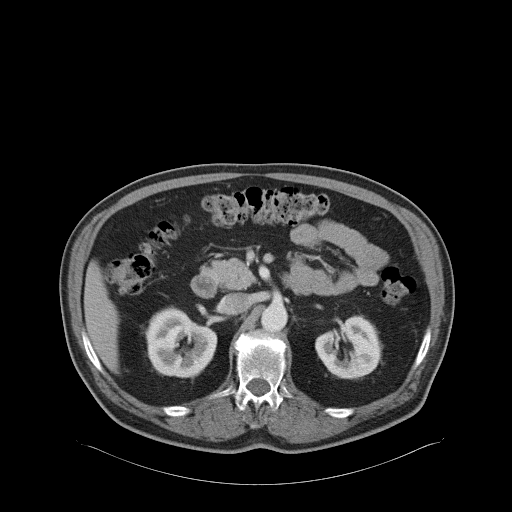
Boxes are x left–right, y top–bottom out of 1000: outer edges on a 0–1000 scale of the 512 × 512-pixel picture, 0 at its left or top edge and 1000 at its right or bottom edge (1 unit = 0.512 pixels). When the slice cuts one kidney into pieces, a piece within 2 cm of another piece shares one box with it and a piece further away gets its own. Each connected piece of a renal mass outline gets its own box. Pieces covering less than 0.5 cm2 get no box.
Slice 45/68 of a contrast-enhanced abdominal CT in the arterial phase, counting up from the lowest; pixel size 0.961 mm, slice thickness 5.00 mm. Two kidney boxes on this slice; by box centre, from the image's left to its right: (1) Box x 283–426, y 596–738 out of 1000: right kidney (outlined area 3,807 px, about 35.2 cm2). (2) Left kidney at x 615–746, y 613–740 out of 1000 (outlined area 3,076 px, about 28.4 cm2). No renal mass is outlined on this slice.
Tube voltage 120 kVp; convolution kernel B31f.